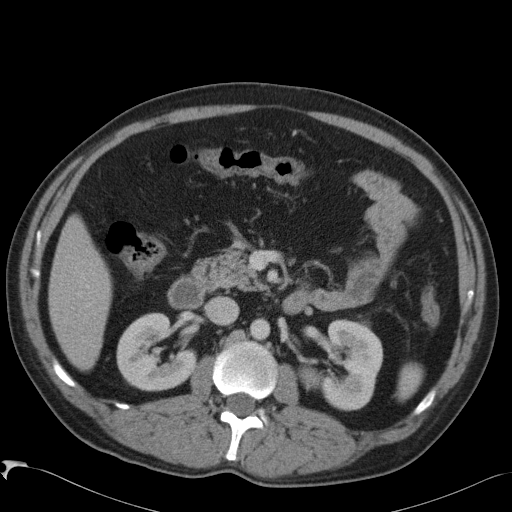
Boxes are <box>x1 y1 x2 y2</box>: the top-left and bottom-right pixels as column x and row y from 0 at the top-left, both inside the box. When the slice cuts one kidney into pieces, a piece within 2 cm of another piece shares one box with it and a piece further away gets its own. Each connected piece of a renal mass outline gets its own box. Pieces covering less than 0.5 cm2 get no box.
Arterial-phase contrast-enhanced abdominal CT, axial slice 57 of 88 (counted from the lowest slice); 5.00 mm thick, 0.723 mm per pixel. Boxed on this slice (two kidney boxes), listed by box centre from the image's left to its right: (1) Right kidney at <box>116 312 197 391</box> (outlined area 4,479 px, about 23.4 cm2). (2) At <box>298 319 383 410</box>: left kidney (outlined area 5,078 px, about 26.5 cm2). This slice carries no renal mass outline.
Scan settings: 120 kVp, B41f reconstruction kernel.